Arterial-phase contrast-enhanced abdominal CT, axial slice 217 of 527 (counted from the lowest slice); tube voltage 120 kVp, convolution kernel I30f; slices 1.00 mm thick, 0.859 mm per pixel.
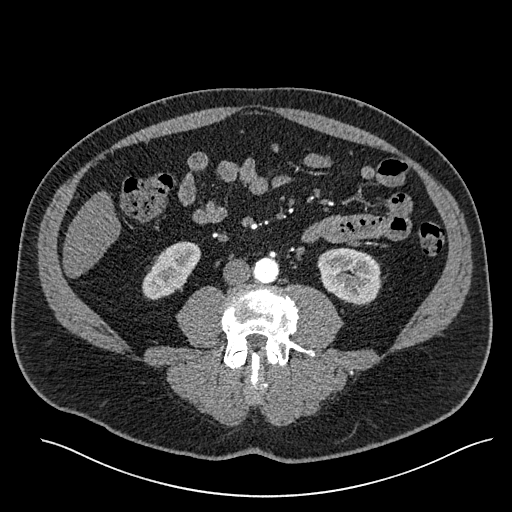
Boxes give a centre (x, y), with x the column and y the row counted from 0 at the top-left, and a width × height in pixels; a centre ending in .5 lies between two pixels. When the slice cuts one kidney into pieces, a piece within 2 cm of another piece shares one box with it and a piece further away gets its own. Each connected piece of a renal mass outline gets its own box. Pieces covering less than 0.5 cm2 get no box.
Two kidney boxes on this slice; by box centre, from the image's left to its right: (1) Box centre (171, 270), 59 × 59 pixels: right kidney (outlined area 2,162 px, about 16.0 cm2). (2) Left kidney in a box with centre (349, 276), 65 × 59 pixels (outlined area 2,888 px, about 21.3 cm2). This slice carries no renal mass outline.